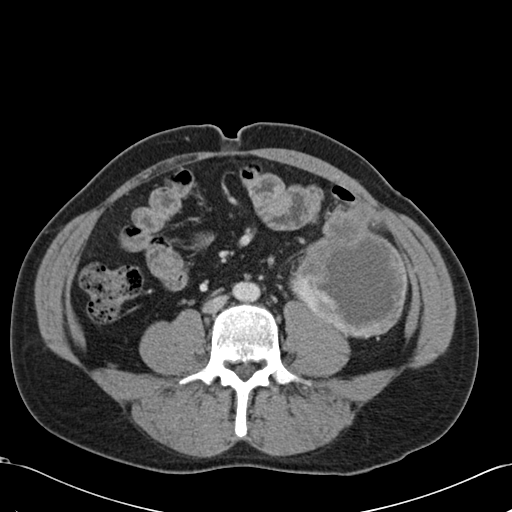
Abdominal CT with intravenous contrast, arterial phase, axial plane, 120 kVp, kernel B30f. Slice 48/99 from the bottom of the scan; thickness 5.00 mm; pixel size 0.693 mm.
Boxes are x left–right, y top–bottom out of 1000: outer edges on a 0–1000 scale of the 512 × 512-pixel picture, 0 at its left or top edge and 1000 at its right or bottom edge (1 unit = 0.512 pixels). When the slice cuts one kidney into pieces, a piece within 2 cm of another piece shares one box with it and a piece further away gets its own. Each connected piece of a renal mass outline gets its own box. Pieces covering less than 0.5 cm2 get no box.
Box x 564–799, y 404–662 out of 1000: left renal mass (outlined area 10,461 px, about 50.3 cm2); this slice has no kidney outline, though on another slice the same outlined renal mass lies within 1 cm of the kidney.